Axial slice 341 of 670 of a contrast-enhanced abdominal CT in the arterial phase (slice 1 is the lowest), 120 kVp, kernel I30f; 1.00 mm slice thickness and 0.861 mm pixels.
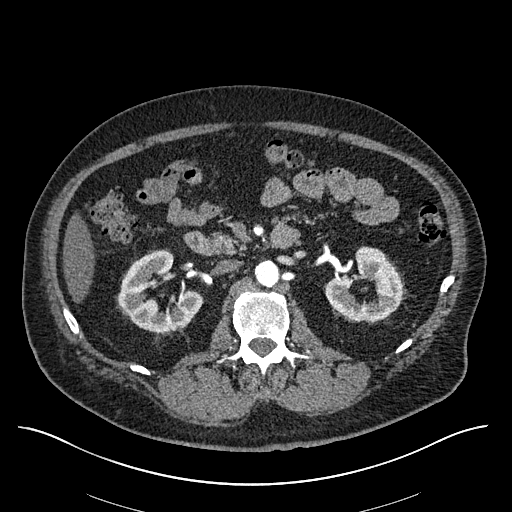
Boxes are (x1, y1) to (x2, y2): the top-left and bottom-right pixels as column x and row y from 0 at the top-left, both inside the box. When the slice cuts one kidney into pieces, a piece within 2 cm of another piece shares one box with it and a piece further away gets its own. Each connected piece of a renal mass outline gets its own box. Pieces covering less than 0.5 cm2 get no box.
Two boxes on this slice (two kidney boxes), listed by box centre from the image's left to its right. (1) Right kidney from (117, 249) to (201, 332) (outlined area 4,271 px, about 31.7 cm2). (2) Left kidney, box (324, 246) to (402, 321) (outlined area 3,769 px, about 28.0 cm2). No renal mass is outlined on this slice.